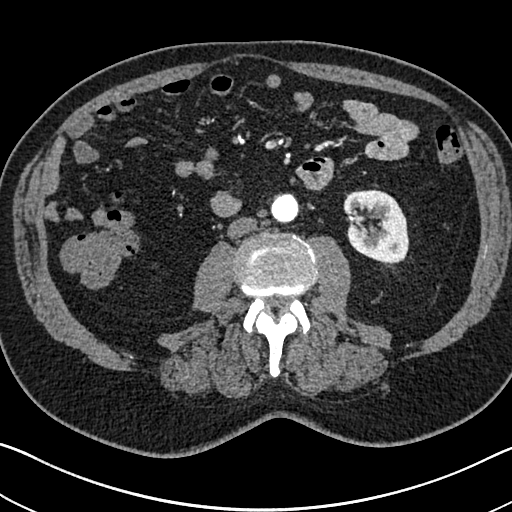
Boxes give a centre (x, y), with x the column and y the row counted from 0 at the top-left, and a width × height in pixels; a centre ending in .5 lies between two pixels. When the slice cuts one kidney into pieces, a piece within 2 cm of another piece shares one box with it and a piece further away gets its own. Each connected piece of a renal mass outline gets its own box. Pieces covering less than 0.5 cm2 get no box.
Slice 328/705 of a contrast-enhanced abdominal CT in the arterial phase, counting up from the lowest; pixel size 0.703 mm, slice thickness 1.00 mm. Left kidney, box centre (376, 226), 67 × 75 pixels (outlined area 3,810 px, about 18.8 cm2). This slice carries no renal mass outline.
Scan settings: 120 kVp, I30f reconstruction kernel.